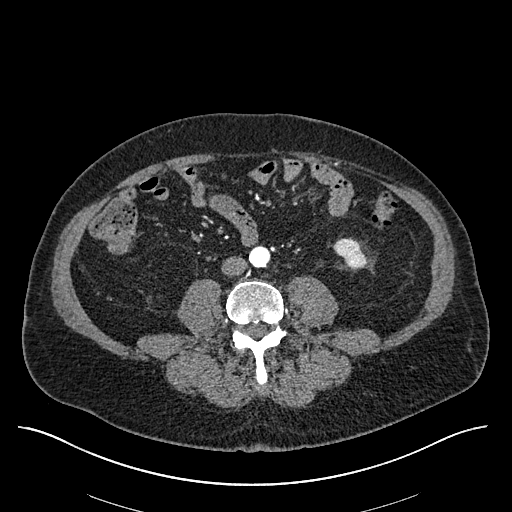
Abdominal CT with intravenous contrast, arterial phase, axial plane, 120 kVp, kernel I30f. Slice 206/670 from the bottom of the scan; thickness 1.00 mm; pixel size 0.861 mm.
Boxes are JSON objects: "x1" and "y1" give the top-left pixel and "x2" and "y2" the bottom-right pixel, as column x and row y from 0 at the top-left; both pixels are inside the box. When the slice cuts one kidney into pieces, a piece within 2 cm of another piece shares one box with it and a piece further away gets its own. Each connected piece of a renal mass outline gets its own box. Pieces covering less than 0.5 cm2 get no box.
Left kidney, box {"x1": 333, "y1": 238, "x2": 367, "y2": 269} (outlined area 720 px, about 5.3 cm2). No renal mass is outlined on this slice.